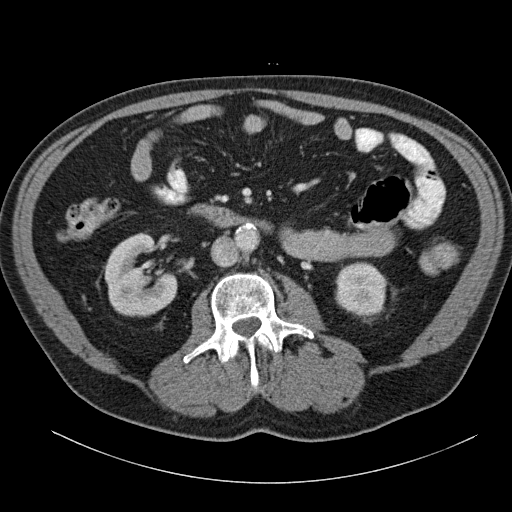
One axial slice (65 of 140, counting up from the lowest) of an arterial-phase abdominal CT acquired with 120 kVp, kernel B31f; each pixel is 0.754 mm and the slice is 5.00 mm thick.
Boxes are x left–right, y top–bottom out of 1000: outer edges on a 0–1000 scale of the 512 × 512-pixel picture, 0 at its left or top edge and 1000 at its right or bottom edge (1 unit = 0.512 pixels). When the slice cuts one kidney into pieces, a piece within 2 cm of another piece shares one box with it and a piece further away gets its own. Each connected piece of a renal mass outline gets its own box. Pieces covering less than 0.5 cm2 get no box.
Two boxes on this slice (two kidney boxes), listed by box centre from the image's left to its right. (1) Right kidney at x 203–348, y 453–619 out of 1000 (outlined area 4,215 px, about 24.0 cm2). (2) Box x 654–758, y 512–619 out of 1000: left kidney (outlined area 2,292 px, about 13.0 cm2). No renal mass is outlined on this slice.